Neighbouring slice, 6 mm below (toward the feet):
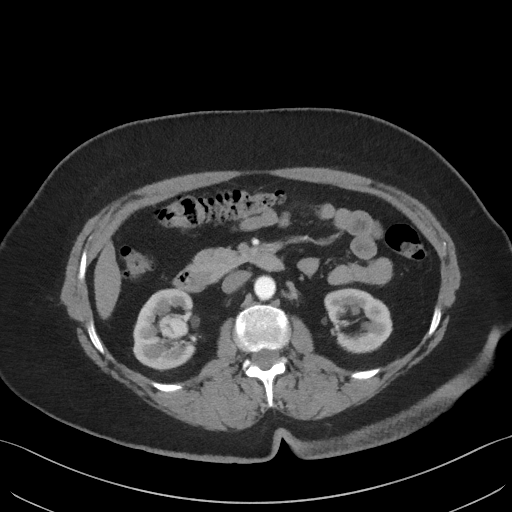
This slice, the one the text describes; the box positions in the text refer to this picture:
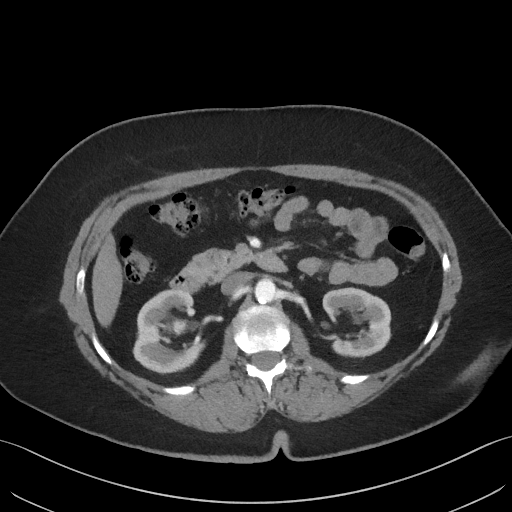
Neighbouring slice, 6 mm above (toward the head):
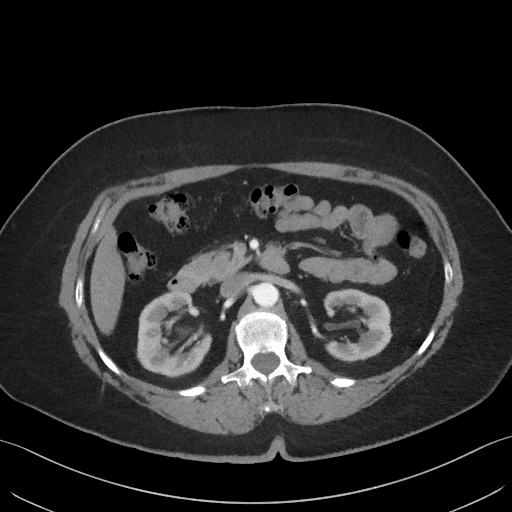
Axial slice 28 of 69 of a contrast-enhanced abdominal CT (slice 1 is the lowest), 140 kVp, kernel I41f; 3.00 mm slice thickness and 0.736 mm pixels.
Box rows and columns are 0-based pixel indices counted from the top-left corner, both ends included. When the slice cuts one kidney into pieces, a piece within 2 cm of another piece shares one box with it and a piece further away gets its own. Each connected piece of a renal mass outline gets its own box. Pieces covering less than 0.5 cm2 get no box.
Three boxes on this slice (two kidney boxes and one renal mass box), listed by box centre from the image's left to its right. (1) Right kidney at rows 288–374, columns 132–205 (outlined area 4,191 px, about 22.7 cm2). (2) Right renal mass, box rows 320–333, columns 173–186 (outlined area 151 px, about 0.8 cm2). (3) Left kidney, box rows 290–357, columns 322–391 (outlined area 3,353 px, about 18.2 cm2). This slice is near the end of the right renal mass toward the head, so the slices 6 mm below and 6 mm above it are shown as well; the boxes refer to this slice only.